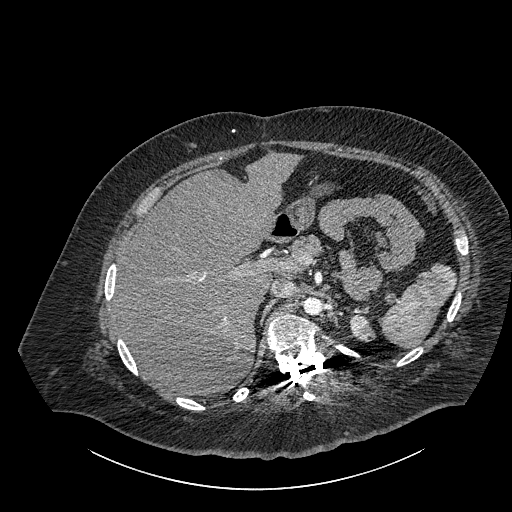
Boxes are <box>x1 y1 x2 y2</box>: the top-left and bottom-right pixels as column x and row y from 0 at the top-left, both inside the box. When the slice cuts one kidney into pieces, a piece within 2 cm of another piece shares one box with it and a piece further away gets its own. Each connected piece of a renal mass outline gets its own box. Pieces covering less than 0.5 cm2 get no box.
Slice 643/834 of a contrast-enhanced abdominal CT, counting up from the lowest; pixel size 0.977 mm, slice thickness 1.00 mm. Left part of the midline-crossing kidney: <box>349 313 375 341</box> (outlined area 542 px, about 5.2 cm2). This slice carries no renal mass outline.
Tube voltage 140 kVp; convolution kernel I30f.